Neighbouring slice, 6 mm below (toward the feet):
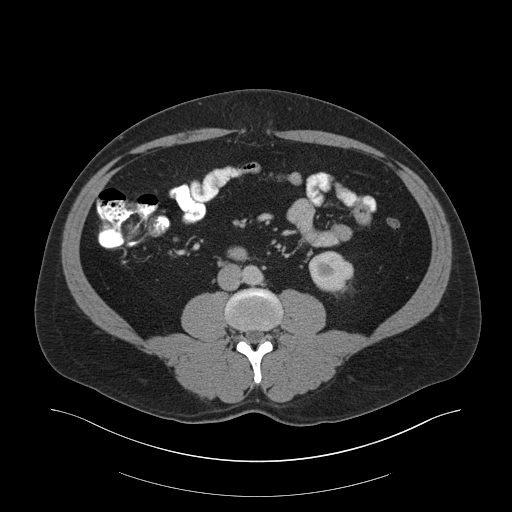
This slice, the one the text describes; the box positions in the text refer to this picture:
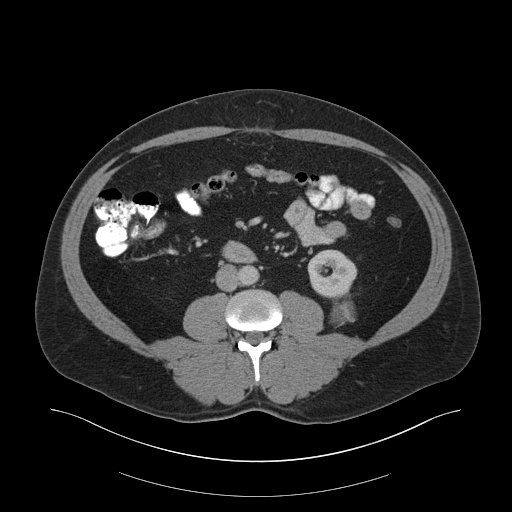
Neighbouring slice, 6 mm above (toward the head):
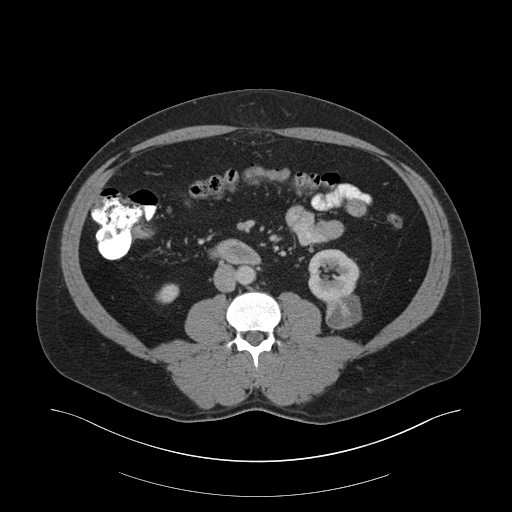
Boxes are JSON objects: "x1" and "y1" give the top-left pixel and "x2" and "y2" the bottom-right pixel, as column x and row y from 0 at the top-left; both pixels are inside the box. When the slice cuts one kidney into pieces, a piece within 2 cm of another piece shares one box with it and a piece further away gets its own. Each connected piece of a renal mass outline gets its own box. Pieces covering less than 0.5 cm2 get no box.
Slice 89/159 of a contrast-enhanced abdominal CT in the arterial phase, counting up from the lowest; pixel size 0.977 mm, slice thickness 3.00 mm. One kidney box and one renal mass box on this slice; by box centre, from the image's left to its right: (1) Box {"x1": 307, "y1": 249, "x2": 357, "y2": 299}: left kidney (outlined area 1,882 px, about 17.9 cm2). (2) Left renal mass at {"x1": 331, "y1": 300, "x2": 355, "y2": 324} (outlined area 469 px, about 4.5 cm2). This slice lies near the end of the left renal mass toward the feet; the slices 6 mm below and 6 mm above it are shown too, and the boxes mark positions on this slice only.
Acquired at 140 kVp and reconstructed with the B30f kernel.